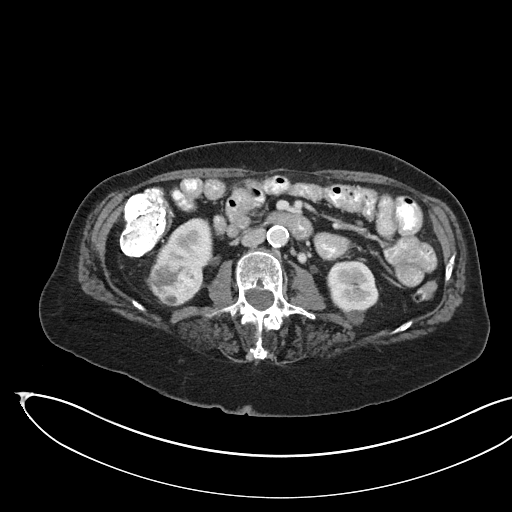
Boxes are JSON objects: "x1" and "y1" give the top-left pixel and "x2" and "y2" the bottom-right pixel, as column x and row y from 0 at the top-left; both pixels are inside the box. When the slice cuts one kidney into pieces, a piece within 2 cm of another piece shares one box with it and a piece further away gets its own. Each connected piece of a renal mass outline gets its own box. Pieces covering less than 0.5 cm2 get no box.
Slice 89/145 of a contrast-enhanced abdominal CT in the arterial phase, counting up from the lowest; pixel size 0.834 mm, slice thickness 3.00 mm. Three boxes on this slice (two kidney boxes and one renal mass box), listed by box centre from the image's left to its right. (1) Renal mass at {"x1": 149, "y1": 259, "x2": 200, "y2": 306} (outlined area 1,952 px, about 13.6 cm2). (2) Kidney, box {"x1": 154, "y1": 217, "x2": 212, "y2": 285} (outlined area 1,984 px, about 13.8 cm2). (3) Box {"x1": 327, "y1": 260, "x2": 378, "y2": 324}: kidney (outlined area 2,379 px, about 16.5 cm2).
Scan settings: 100 kVp, I40f reconstruction kernel.